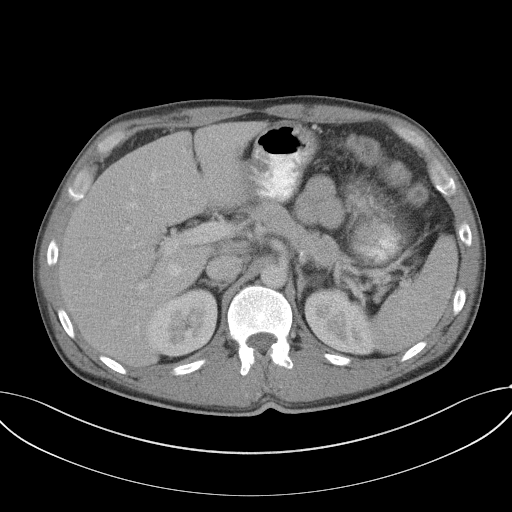
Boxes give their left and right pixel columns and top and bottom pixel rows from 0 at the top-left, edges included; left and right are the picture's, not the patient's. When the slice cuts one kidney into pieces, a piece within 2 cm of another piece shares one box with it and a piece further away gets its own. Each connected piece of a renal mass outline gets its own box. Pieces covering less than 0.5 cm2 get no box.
Slice 75/102 of a contrast-enhanced abdominal CT, counting up from the lowest; pixel size 0.807 mm, slice thickness 5.00 mm. Two kidney boxes on this slice; by box centre, from the image's left to its right: (1) Box with left 145, top 287, right 217, bottom 357: right kidney (outlined area 3,774 px, about 24.6 cm2). (2) Left kidney in the box with left 304, top 286, right 372, bottom 354 (outlined area 3,392 px, about 22.1 cm2). No renal mass outline on this slice.
Scan settings: 120 kVp, B41f reconstruction kernel.